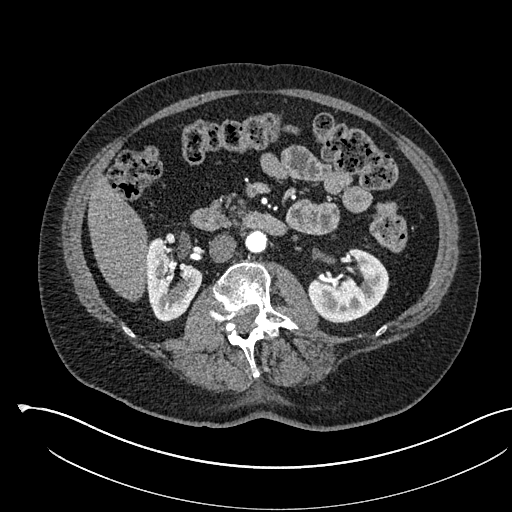
One axial slice (303 of 541, counting up from the lowest) of an arterial-phase abdominal CT acquired with 120 kVp, kernel I30f; each pixel is 0.834 mm and the slice is 1.00 mm thick.
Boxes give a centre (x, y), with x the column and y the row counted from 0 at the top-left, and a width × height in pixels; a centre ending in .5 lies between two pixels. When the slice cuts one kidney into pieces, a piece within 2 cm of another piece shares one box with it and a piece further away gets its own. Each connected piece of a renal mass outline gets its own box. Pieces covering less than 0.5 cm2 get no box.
Boxed on this slice (two kidney boxes), listed by box centre from the image's left to its right: (1) Right kidney in a box with centre (173.5, 279), 58 × 85 pixels (outlined area 3,260 px, about 22.7 cm2). (2) Left kidney, box centre (348.5, 285), 82 × 75 pixels (outlined area 4,021 px, about 28.0 cm2). This slice carries no renal mass outline.